Abdominal CT with intravenous contrast, arterial phase, axial plane, 100 kVp, kernel I26f. Slice 429/665 from the bottom of the scan; thickness 1.00 mm; pixel size 0.828 mm.
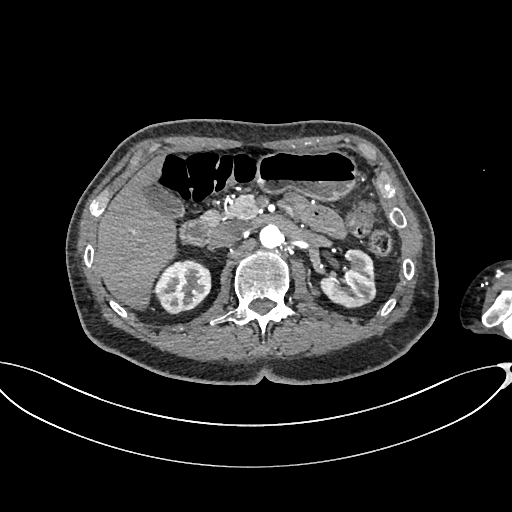
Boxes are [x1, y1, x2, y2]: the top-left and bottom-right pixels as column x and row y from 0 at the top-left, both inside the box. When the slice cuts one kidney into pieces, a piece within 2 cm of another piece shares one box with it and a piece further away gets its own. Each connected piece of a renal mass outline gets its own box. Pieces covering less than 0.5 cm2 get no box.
Two boxes on this slice (two kidney boxes), listed by box centre from the image's left to its right. (1) Right kidney, box [155, 259, 211, 314] (outlined area 2,379 px, about 16.3 cm2). (2) Left kidney, box [319, 249, 376, 307] (outlined area 2,294 px, about 15.7 cm2).